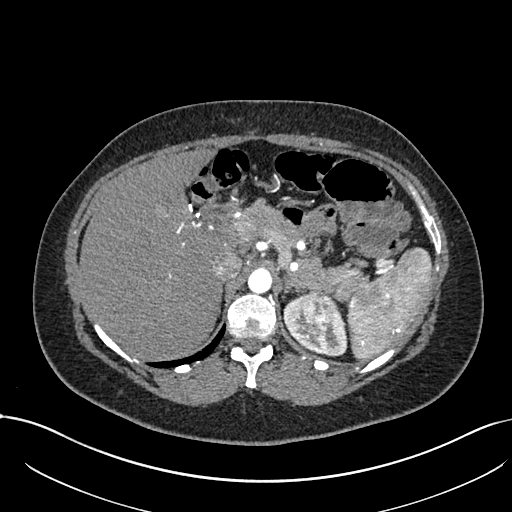
Arterial-phase contrast-enhanced abdominal CT, axial slice 539 of 738 (counted from the lowest slice); tube voltage 120 kVp, convolution kernel I30f; slices 1.00 mm thick, 0.789 mm per pixel.
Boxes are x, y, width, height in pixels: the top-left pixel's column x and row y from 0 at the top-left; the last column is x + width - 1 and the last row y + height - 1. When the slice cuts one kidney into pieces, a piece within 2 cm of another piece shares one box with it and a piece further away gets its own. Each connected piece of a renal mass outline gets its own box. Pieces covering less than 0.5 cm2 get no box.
Two boxes on this slice (one kidney box and one renal mass box), listed by box centre from the image's left to its right. (1) Box x 283, y 294, width 65, height 62: left kidney (outlined area 2,000 px, about 12.5 cm2). (2) Left renal mass, box x 301, y 291, width 31, height 47 (outlined area 1,116 px, about 6.9 cm2).